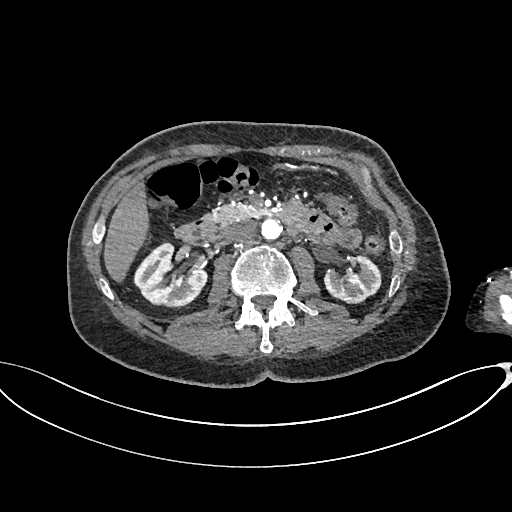
Abdominal CT with intravenous contrast, arterial phase, axial plane, 100 kVp, kernel I26f. Slice 388/665 from the bottom of the scan; thickness 1.00 mm; pixel size 0.828 mm.
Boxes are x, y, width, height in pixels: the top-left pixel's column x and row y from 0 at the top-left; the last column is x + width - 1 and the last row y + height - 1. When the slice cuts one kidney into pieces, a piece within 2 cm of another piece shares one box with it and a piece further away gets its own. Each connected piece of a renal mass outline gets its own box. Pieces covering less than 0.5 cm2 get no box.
Two boxes on this slice (two kidney boxes), listed by box centre from the image's left to its right. (1) Right kidney at x 133, y 242, width 76, height 67 (outlined area 3,362 px, about 23.1 cm2). (2) Left kidney, box x 324, y 253, width 58, height 51 (outlined area 1,996 px, about 13.7 cm2). No renal mass outline on this slice.